One axial slice (208 of 581, counting up from the lowest) of an arterial-phase abdominal CT acquired with 120 kVp, kernel B30f; each pixel is 0.713 mm and the slice is 1.00 mm thick.
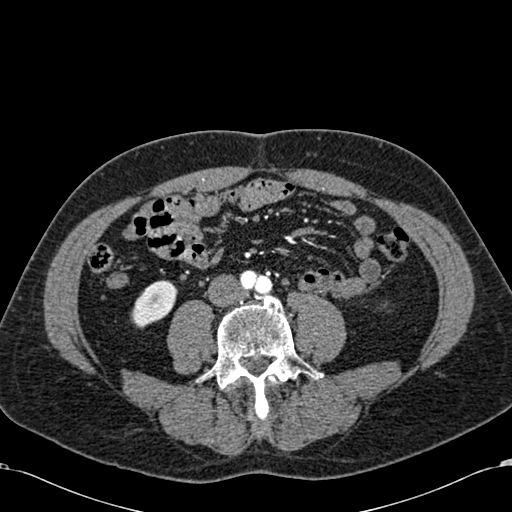
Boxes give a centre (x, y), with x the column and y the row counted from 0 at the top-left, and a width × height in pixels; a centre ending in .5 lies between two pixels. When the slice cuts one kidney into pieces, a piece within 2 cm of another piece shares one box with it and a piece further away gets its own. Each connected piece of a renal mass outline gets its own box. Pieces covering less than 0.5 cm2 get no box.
Box centre (153.5, 304), 48 × 49 pixels: right kidney (outlined area 1,522 px, about 7.7 cm2). No renal mass outline on this slice.